Abdominal CT with intravenous contrast, arterial phase, axial plane, 120 kVp, kernel STANDARD. Slice 131/186 from the bottom of the scan; thickness 2.50 mm; pixel size 0.742 mm.
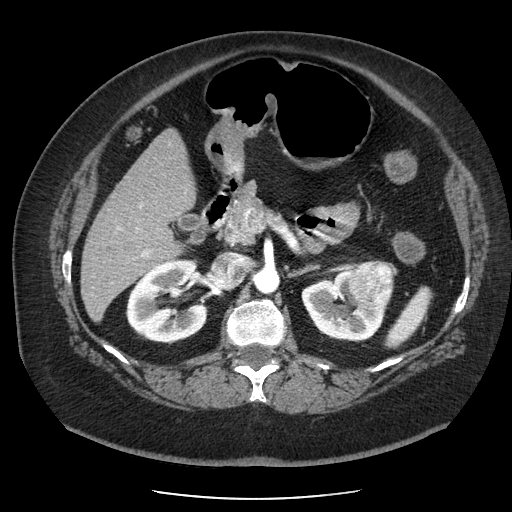
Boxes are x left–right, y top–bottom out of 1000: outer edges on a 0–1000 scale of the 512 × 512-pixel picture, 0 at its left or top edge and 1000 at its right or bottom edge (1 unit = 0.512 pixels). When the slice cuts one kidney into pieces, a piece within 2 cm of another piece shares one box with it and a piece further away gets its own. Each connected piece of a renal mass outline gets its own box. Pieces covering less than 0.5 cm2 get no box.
Boxed on this slice (two kidney boxes and one renal mass box), listed by box centre from the image's left to its right: (1) Right kidney, box x 246–408, y 504–672 out of 1000 (outlined area 5,187 px, about 28.6 cm2). (2) Box x 588–758, y 525–670 out of 1000: left kidney (outlined area 3,553 px, about 19.6 cm2). (3) Box x 678–775, y 508–605 out of 1000: left renal mass (outlined area 1,945 px, about 10.7 cm2).